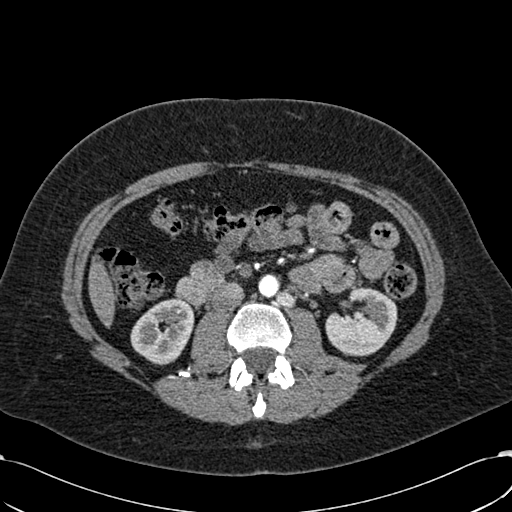
Arterial-phase contrast-enhanced abdominal CT, axial slice 312 of 532 (counted from the lowest slice); tube voltage 120 kVp, convolution kernel B30f; slices 1.00 mm thick, 0.713 mm per pixel.
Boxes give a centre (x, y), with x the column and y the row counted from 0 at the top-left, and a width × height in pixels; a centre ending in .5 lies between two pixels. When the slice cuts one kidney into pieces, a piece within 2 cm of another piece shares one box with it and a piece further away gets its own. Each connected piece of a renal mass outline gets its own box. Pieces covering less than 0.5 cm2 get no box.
Boxed on this slice (two kidney boxes), listed by box centre from the image's left to its right: (1) Right kidney, box centre (162, 331.5), 65 × 68 pixels (outlined area 3,095 px, about 15.7 cm2). (2) Left kidney, box centre (361, 321.5), 73 × 70 pixels (outlined area 3,616 px, about 18.4 cm2). No renal mass outline on this slice.